Axial slice 20 of 69 of a contrast-enhanced abdominal CT in the arterial phase (slice 1 is the lowest), 120 kVp, kernel STANDARD; 2.50 mm slice thickness and 0.846 mm pixels.
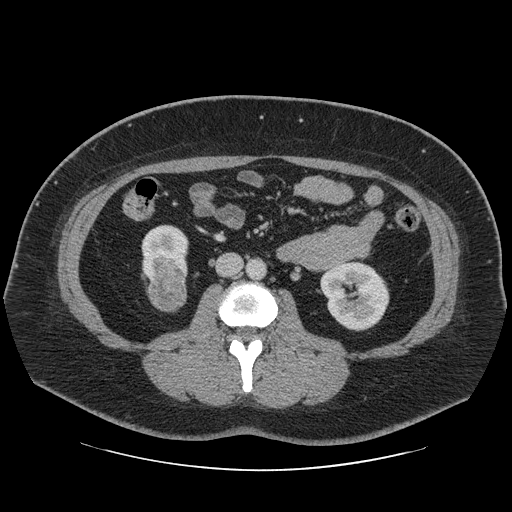
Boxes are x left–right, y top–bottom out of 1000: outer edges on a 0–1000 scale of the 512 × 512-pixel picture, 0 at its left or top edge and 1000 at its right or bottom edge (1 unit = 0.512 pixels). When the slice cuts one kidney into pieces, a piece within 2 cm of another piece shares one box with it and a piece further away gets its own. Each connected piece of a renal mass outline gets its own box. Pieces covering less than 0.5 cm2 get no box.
Two kidney boxes and one renal mass box on this slice; by box centre, from the image's left to its right: (1) Right kidney, box x 275–369, y 438–551 out of 1000 (outlined area 2,127 px, about 15.2 cm2). (2) Box x 287–367, y 527–611 out of 1000: right renal mass (outlined area 1,332 px, about 9.5 cm2). (3) Left kidney at x 625–762, y 510–648 out of 1000 (outlined area 3,660 px, about 26.2 cm2).